Axial slice 376 of 705 of a contrast-enhanced abdominal CT in the arterial phase (slice 1 is the lowest), 120 kVp, kernel I30f; 1.00 mm slice thickness and 0.703 mm pixels.
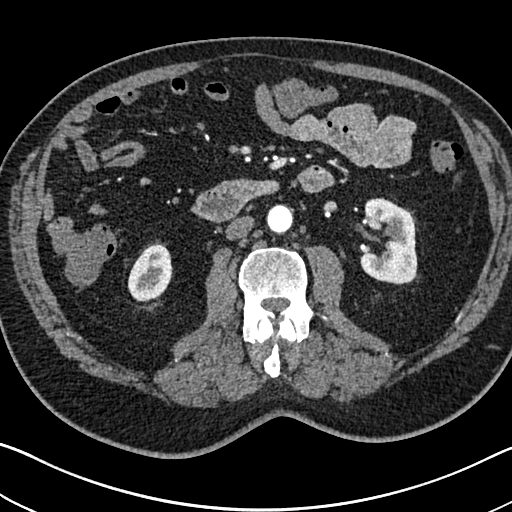
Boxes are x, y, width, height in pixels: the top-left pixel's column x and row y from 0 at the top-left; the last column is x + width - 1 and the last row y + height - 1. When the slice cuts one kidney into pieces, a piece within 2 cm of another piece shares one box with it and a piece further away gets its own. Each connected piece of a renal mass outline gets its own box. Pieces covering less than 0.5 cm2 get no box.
Two boxes on this slice (two kidney boxes), listed by box centre from the image's left to its right. (1) Right kidney, box x 127, y 241, width 46, height 61 (outlined area 1,986 px, about 9.8 cm2). (2) Left kidney, box x 359, y 197, width 59, height 88 (outlined area 3,928 px, about 19.4 cm2). This slice carries no renal mass outline.